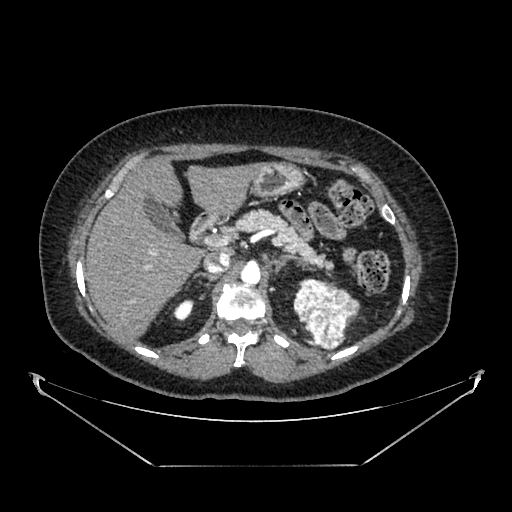
Abdominal CT with intravenous contrast, arterial phase, axial plane, 100 kVp, kernel SOFT. Slice 266/383 from the bottom of the scan; thickness 1.25 mm; pixel size 0.898 mm.
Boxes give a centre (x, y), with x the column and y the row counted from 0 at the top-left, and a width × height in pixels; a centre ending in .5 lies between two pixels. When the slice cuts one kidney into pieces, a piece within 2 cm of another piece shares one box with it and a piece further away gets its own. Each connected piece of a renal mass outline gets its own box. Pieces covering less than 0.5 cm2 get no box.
Two boxes on this slice (one kidney box and one renal mass box), listed by box centre from the image's left to its right. (1) Box centre (183.5, 310), 20 × 23 pixels: right kidney (outlined area 318 px, about 2.6 cm2). (2) Left renal mass, box centre (326, 314.5), 67 × 72 pixels (outlined area 3,258 px, about 26.3 cm2); here it is more than 1 cm from any kidney outline, though on another slice the same outlined renal mass lies within 1 cm of the kidney.